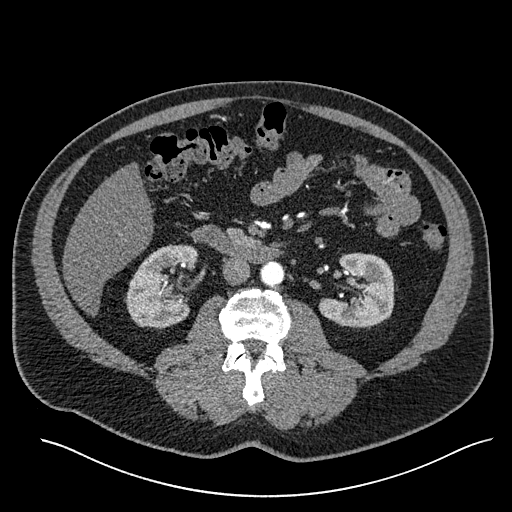
Abdominal CT with intravenous contrast, arterial phase, axial plane, 120 kVp, kernel I30f. Slice 292/527 from the bottom of the scan; thickness 1.00 mm; pixel size 0.859 mm.
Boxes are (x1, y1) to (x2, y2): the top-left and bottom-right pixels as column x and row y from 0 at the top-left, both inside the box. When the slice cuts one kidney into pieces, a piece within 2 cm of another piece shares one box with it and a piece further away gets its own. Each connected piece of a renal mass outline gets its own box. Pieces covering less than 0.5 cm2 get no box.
Two kidney boxes on this slice; by box centre, from the image's left to its right: (1) Box (124, 244) to (197, 329): right kidney (outlined area 4,421 px, about 32.7 cm2). (2) Left kidney, box (318, 252) to (394, 328) (outlined area 4,077 px, about 30.1 cm2). No renal mass outline on this slice.